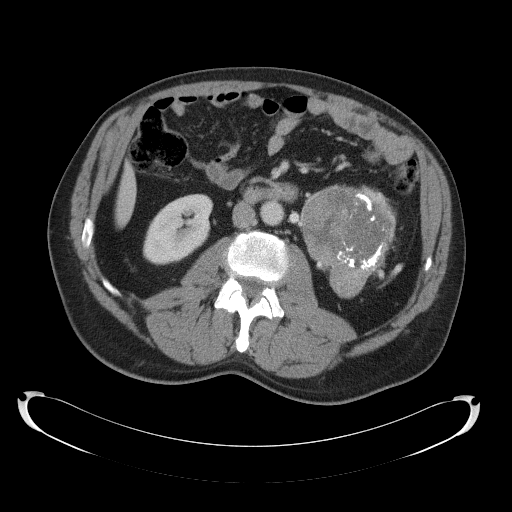
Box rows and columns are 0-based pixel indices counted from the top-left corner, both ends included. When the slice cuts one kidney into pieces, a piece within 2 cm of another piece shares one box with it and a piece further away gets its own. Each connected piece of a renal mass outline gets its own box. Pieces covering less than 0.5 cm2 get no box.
Slice 63/145 of a contrast-enhanced abdominal CT, counting up from the lowest; pixel size 0.859 mm, slice thickness 5.00 mm. One kidney box and one renal mass box on this slice; by box centre, from the image's left to its right: (1) Right kidney at rows 194–265, columns 142–213 (outlined area 3,597 px, about 26.6 cm2). (2) Left renal mass, box rows 184–298, columns 299–396 (outlined area 7,858 px, about 58.0 cm2); on this slice it lies more than 1 cm from any kidney outline, but the same outlined renal mass comes within 1 cm of the kidney on another slice.
Tube voltage 120 kVp; convolution kernel B41f.